Arterial-phase contrast-enhanced abdominal CT, axial slice 212 of 527 (counted from the lowest slice); tube voltage 120 kVp, convolution kernel I30f; slices 1.00 mm thick, 0.859 mm per pixel.
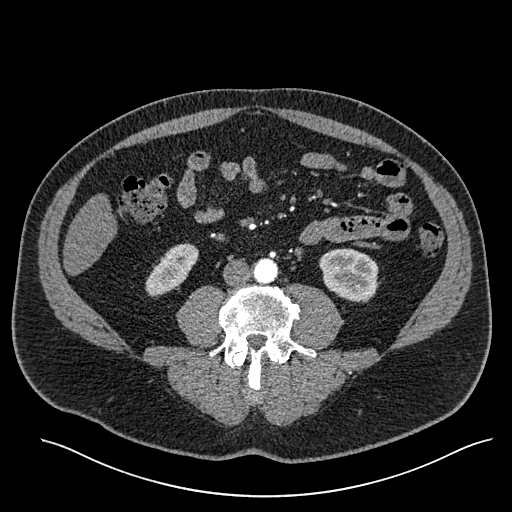
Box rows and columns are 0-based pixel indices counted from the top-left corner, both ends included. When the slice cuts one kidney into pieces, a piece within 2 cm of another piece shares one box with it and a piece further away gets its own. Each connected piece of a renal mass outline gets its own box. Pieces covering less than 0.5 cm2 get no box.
Two kidney boxes on this slice; by box centre, from the image's left to its right: (1) Right kidney at rows 242–298, columns 145–198 (outlined area 1,746 px, about 12.9 cm2). (2) Box rows 248–302, columns 319–380: left kidney (outlined area 2,546 px, about 18.8 cm2). No renal mass is outlined on this slice.